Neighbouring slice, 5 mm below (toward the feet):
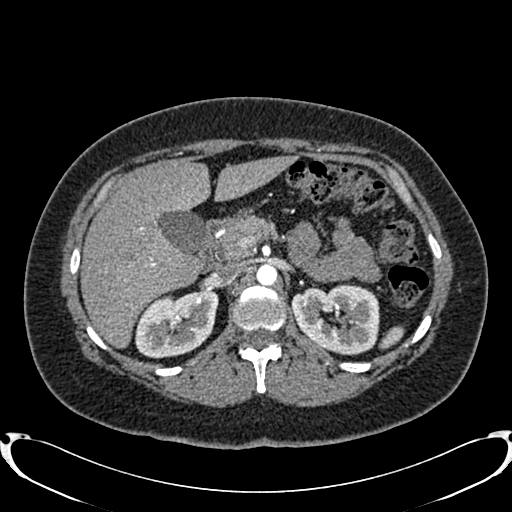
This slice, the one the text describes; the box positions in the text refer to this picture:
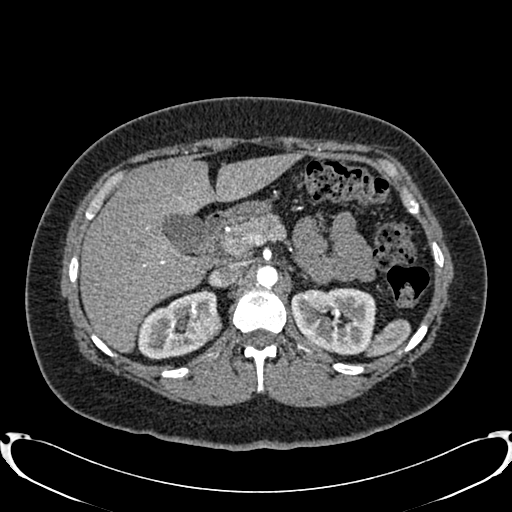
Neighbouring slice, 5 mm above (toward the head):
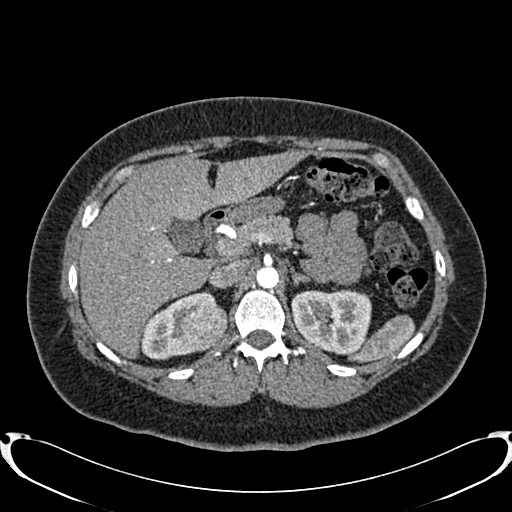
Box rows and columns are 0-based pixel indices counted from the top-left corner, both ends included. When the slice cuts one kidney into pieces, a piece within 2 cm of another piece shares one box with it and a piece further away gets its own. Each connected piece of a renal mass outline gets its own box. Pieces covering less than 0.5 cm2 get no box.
This is axial slice 544 of 719 (slice 1 is the lowest) of an arterial-phase abdominal CT with contrast; each pixel is 0.766 mm and the slice is 1.00 mm thick. Boxed on this slice (two kidney boxes and one renal mass box), listed by box centre from the image's left to its right: (1) Right kidney, box rows 289–359, columns 136–217 (outlined area 3,291 px, about 19.3 cm2). (2) Box rows 311–342, columns 186–222: right renal mass (outlined area 879 px, about 5.2 cm2). (3) Left kidney at rows 288–355, columns 290–376 (outlined area 4,588 px, about 26.9 cm2). This slice lies near the end of the right renal mass toward the feet; the slices 5 mm below and 5 mm above it are shown too, and the boxes mark positions on this slice only.
Acquired at 120 kVp and reconstructed with the B20f kernel.